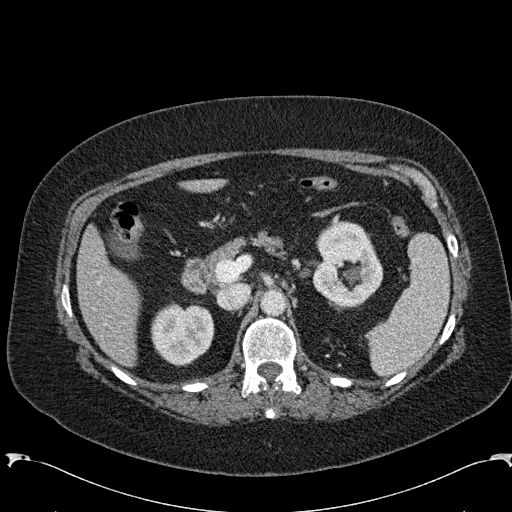
Arterial-phase contrast-enhanced abdominal CT, axial slice 159 of 285 (counted from the lowest slice); tube voltage 120 kVp, convolution kernel B31f; slices 2.00 mm thick, 0.762 mm per pixel.
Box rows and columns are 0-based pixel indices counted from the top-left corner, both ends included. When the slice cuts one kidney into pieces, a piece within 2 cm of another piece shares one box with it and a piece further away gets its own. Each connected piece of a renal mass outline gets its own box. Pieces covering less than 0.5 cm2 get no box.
Two kidney boxes on this slice; by box centre, from the image's left to its right: (1) Right kidney at rows 303–366, columns 151–214 (outlined area 3,149 px, about 18.3 cm2). (2) Left kidney, box rows 220–306, columns 312–383 (outlined area 4,537 px, about 26.3 cm2). No renal mass is outlined on this slice.